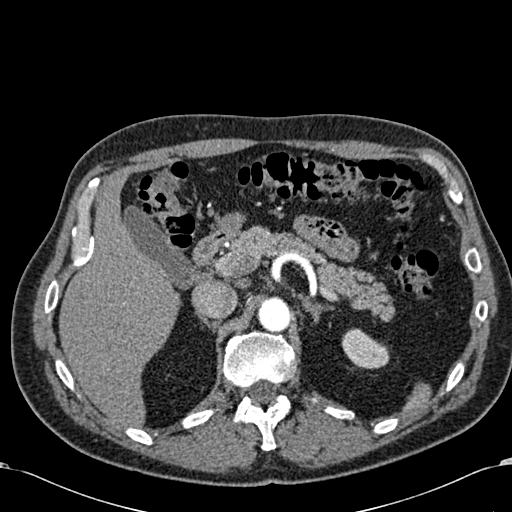
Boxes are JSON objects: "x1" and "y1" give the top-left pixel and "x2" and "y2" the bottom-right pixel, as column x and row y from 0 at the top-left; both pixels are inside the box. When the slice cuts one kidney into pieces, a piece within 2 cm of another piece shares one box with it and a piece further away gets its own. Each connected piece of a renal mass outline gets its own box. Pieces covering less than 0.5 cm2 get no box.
Slice 441/581 of a contrast-enhanced abdominal CT in the arterial phase, counting up from the lowest; pixel size 0.713 mm, slice thickness 1.00 mm. Left kidney, box {"x1": 341, "y1": 328, "x2": 389, "y2": 369} (outlined area 1,377 px, about 7.0 cm2). No renal mass is outlined on this slice.
Scan settings: 120 kVp, B30f reconstruction kernel.